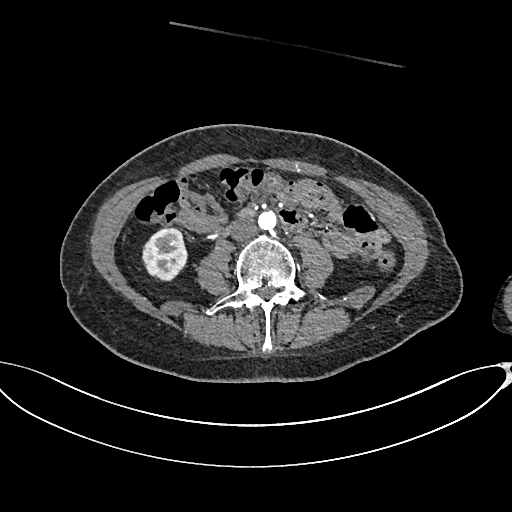
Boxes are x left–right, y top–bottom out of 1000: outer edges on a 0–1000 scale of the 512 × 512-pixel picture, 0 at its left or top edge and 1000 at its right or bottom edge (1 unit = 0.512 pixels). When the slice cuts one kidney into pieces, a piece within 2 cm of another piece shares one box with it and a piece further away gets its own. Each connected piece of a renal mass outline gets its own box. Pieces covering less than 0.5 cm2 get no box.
This is axial slice 298 of 665 (slice 1 is the lowest) of an arterial-phase abdominal CT with contrast; each pixel is 0.828 mm and the slice is 1.00 mm thick. Box x 277–367, y 443–551 out of 1000: right kidney (outlined area 1,910 px, about 13.1 cm2). No renal mass outline on this slice.
Scan settings: 100 kVp, I26f reconstruction kernel.